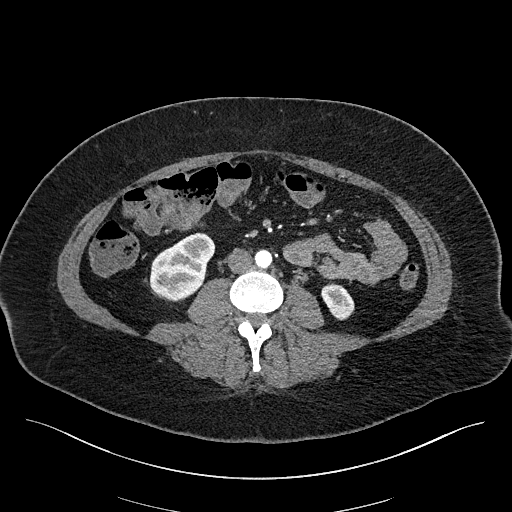
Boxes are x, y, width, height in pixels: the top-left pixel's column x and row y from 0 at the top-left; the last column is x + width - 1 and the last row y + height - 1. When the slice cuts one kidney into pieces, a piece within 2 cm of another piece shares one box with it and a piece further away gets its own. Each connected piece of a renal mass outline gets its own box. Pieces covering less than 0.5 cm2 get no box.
This is axial slice 62 of 270 (slice 1 is the lowest) of an arterial-phase abdominal CT with contrast; each pixel is 0.855 mm and the slice is 2.00 mm thick. Two kidney boxes on this slice; by box centre, from the image's left to its right: (1) Right kidney, box x 149, y 232, width 67, height 70 (outlined area 3,157 px, about 23.1 cm2). (2) Left kidney, box x 321, y 283, width 34, height 38 (outlined area 882 px, about 6.5 cm2). No renal mass is outlined on this slice.
Tube voltage 100 kVp; convolution kernel I40f.